One axial slice (65 of 104, counting up from the lowest) of a contrast-enhanced abdominal CT acquired with 120 kVp, kernel B41f; each pixel is 0.977 mm and the slice is 5.00 mm thick.
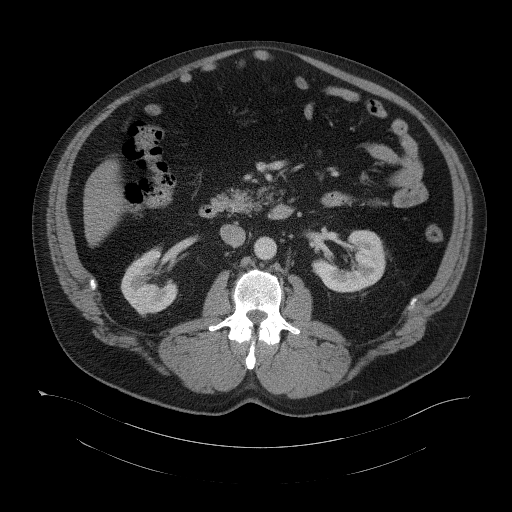
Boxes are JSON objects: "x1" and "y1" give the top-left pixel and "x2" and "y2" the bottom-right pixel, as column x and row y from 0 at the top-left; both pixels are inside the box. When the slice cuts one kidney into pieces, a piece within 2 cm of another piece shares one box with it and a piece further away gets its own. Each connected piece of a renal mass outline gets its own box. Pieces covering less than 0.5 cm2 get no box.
Two boxes on this slice (two kidney boxes), listed by box centre from the image's left to its right. (1) Box {"x1": 120, "y1": 246, "x2": 177, "y2": 316}: right kidney (outlined area 2,576 px, about 24.6 cm2). (2) Left kidney, box {"x1": 311, "y1": 230, "x2": 385, "y2": 292} (outlined area 3,069 px, about 29.3 cm2). No renal mass is outlined on this slice.